Axial slice 166 of 548 of a contrast-enhanced abdominal CT in the arterial phase (slice 1 is the lowest), 120 kVp, kernel I26f; 1.00 mm slice thickness and 0.852 mm pixels.
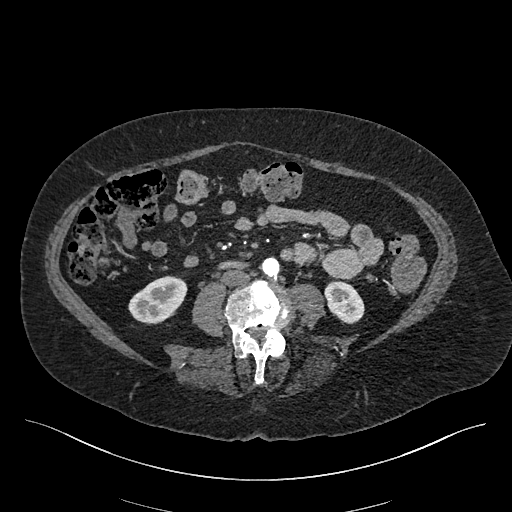
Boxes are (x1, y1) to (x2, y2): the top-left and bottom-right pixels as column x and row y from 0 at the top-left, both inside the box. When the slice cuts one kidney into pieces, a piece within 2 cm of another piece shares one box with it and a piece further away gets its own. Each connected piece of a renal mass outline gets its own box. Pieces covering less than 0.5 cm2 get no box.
Boxed on this slice (two kidney boxes), listed by box centre from the image's left to its right: (1) Right kidney from (128, 275) to (187, 324) (outlined area 1,994 px, about 14.5 cm2). (2) Box (324, 280) to (364, 323): left kidney (outlined area 1,284 px, about 9.3 cm2). No renal mass outline on this slice.